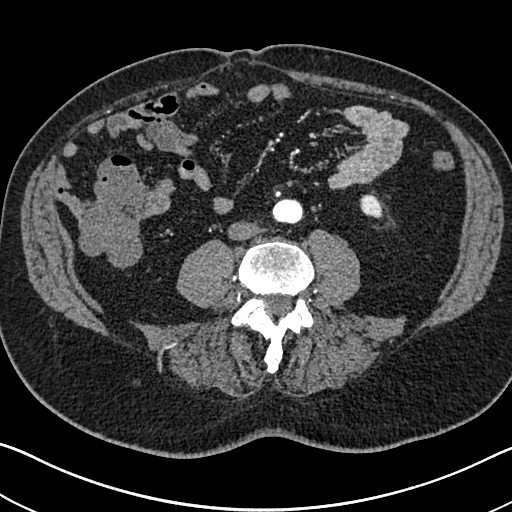
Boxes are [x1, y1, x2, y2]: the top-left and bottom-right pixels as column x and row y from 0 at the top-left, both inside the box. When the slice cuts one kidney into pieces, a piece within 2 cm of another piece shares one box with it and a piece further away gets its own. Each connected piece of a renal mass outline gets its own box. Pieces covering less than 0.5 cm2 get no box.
Arterial-phase contrast-enhanced abdominal CT, axial slice 270 of 705 (counted from the lowest slice); 1.00 mm thick, 0.703 mm per pixel. Left kidney at [359, 194, 382, 218] (outlined area 438 px, about 2.2 cm2). This slice carries no renal mass outline.
Acquired at 120 kVp and reconstructed with the I30f kernel.